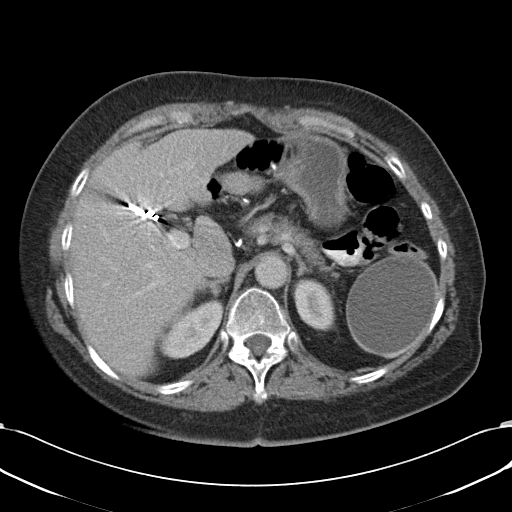
Contrast-enhanced abdominal CT, axial slice 73 of 90 (counted from the lowest slice); tube voltage 120 kVp, convolution kernel B31f; slices 5.00 mm thick, 0.707 mm per pixel.
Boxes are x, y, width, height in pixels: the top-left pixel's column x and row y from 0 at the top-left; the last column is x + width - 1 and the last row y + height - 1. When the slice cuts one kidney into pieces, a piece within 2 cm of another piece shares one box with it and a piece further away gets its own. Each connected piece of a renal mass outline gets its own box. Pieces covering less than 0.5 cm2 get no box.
Boxed on this slice (two kidney boxes), listed by box centre from the image's left to its right: (1) Right kidney, box x 160, y 302, width 63, height 58 (outlined area 2,067 px, about 10.3 cm2). (2) Box x 295, y 280, width 37, height 50: left kidney (outlined area 1,432 px, about 7.2 cm2). No renal mass is outlined on this slice.